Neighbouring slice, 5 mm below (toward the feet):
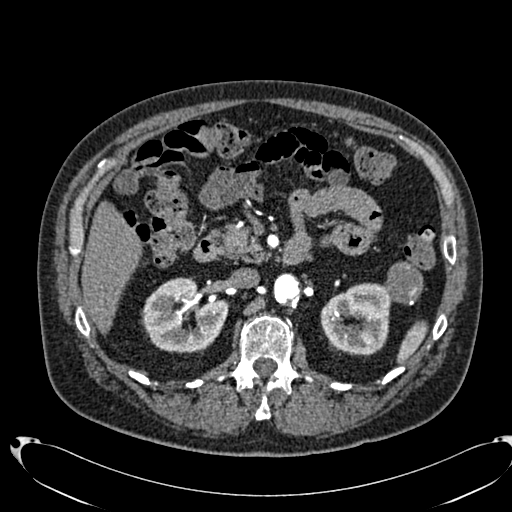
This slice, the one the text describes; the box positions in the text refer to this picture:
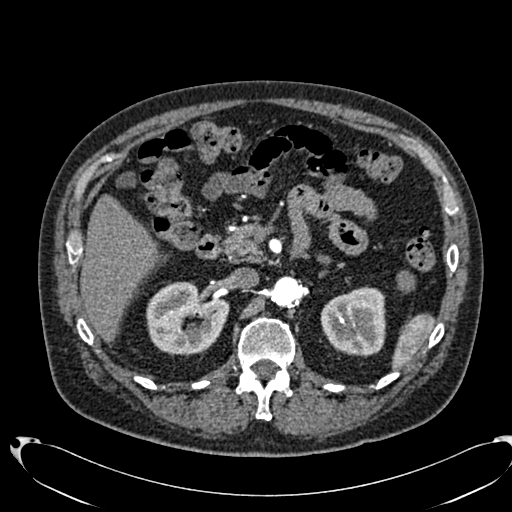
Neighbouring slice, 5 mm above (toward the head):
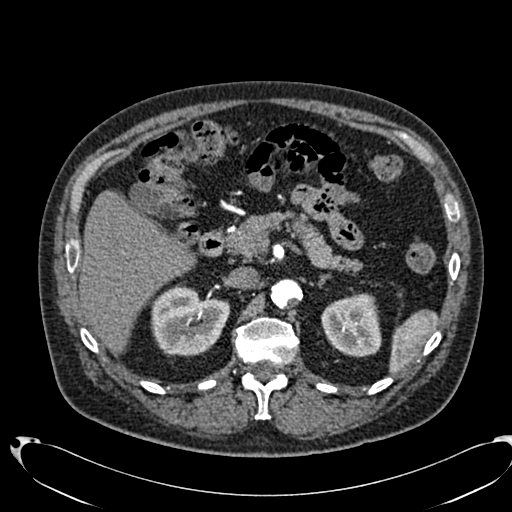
Abdominal CT with intravenous contrast, arterial phase, axial plane, 120 kVp, kernel B20f. Slice 454/553 from the bottom of the scan; thickness 1.00 mm; pixel size 0.773 mm.
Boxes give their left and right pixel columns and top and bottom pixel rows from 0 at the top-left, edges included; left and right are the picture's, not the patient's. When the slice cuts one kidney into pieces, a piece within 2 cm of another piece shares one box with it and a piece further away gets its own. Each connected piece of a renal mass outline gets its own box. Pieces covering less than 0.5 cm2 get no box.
Boxed on this slice (two kidney boxes and one renal mass box), listed by box centre from the image's left to its right: (1) Box with left 146, top 281, right 229, bottom 356: right kidney (outlined area 4,644 px, about 27.8 cm2). (2) Left kidney, the box with left 320, top 286, right 385, bottom 356 (outlined area 3,660 px, about 21.9 cm2). (3) Box with left 396, top 270, right 415, bottom 291: left renal mass (outlined area 341 px, about 2.0 cm2); on this slice it lies more than 1 cm from any kidney outline, but the same outlined renal mass comes within 1 cm of the kidney on another slice. This slice lies near the end of the left renal mass toward the head; the slices 5 mm below and 5 mm above it are shown too, and the boxes mark positions on this slice only.